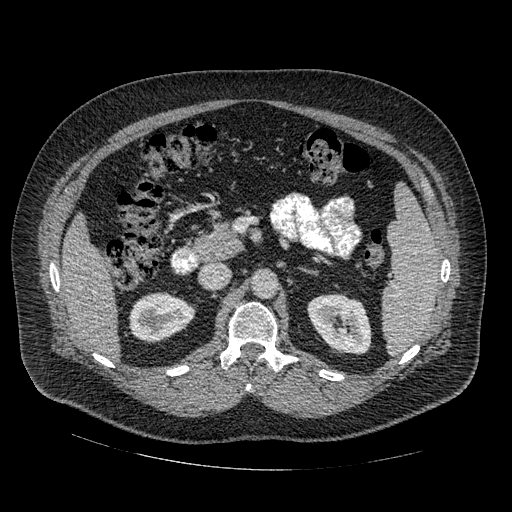
Arterial-phase contrast-enhanced abdominal CT, axial slice 298 of 445 (counted from the lowest slice); tube voltage 120 kVp, convolution kernel STANDARD; slices 1.25 mm thick, 0.863 mm per pixel.
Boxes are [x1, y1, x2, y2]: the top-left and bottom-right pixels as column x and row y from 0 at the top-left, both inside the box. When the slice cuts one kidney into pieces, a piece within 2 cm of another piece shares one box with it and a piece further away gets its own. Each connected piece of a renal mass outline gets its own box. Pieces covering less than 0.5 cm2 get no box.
Two boxes on this slice (two kidney boxes), listed by box centre from the image's left to its right. (1) Box [128, 292, 195, 342]: right kidney (outlined area 2,488 px, about 18.5 cm2). (2) Box [307, 293, 372, 354]: left kidney (outlined area 2,959 px, about 22.1 cm2). No renal mass outline on this slice.